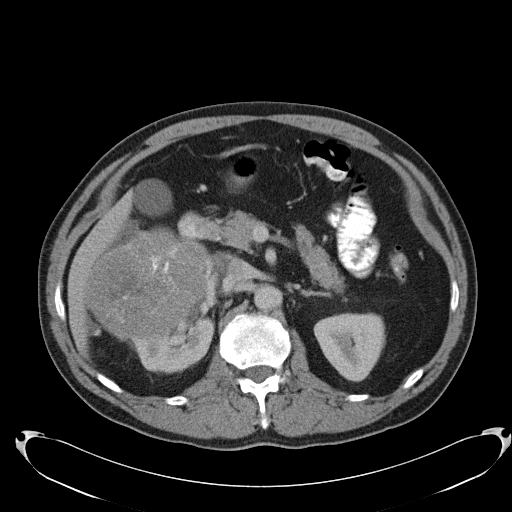
Contrast-enhanced abdominal CT, axial slice 70 of 103 (counted from the lowest slice); tube voltage 120 kVp, convolution kernel B31f; slices 5.00 mm thick, 0.801 mm per pixel.
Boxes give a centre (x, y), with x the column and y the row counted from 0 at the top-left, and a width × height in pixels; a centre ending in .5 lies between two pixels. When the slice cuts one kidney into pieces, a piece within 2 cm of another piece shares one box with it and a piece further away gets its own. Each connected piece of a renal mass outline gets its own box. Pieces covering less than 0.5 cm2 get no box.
Two kidney boxes and one renal mass box on this slice; by box centre, from the image's left to its right: (1) Right renal mass, box centre (151, 283.5), 137 × 116 pixels (outlined area 11,370 px, about 72.9 cm2). (2) Box centre (169, 344.5), 91 × 58 pixels: right kidney (outlined area 3,093 px, about 19.8 cm2). (3) Left kidney in a box with centre (349, 346.5), 73 × 70 pixels (outlined area 3,722 px, about 23.9 cm2).